Axial slice 780 of 987 of a contrast-enhanced abdominal CT in the arterial phase (slice 1 is the lowest), 120 kVp, kernel I26f; 1.00 mm slice thickness and 0.977 mm pixels.
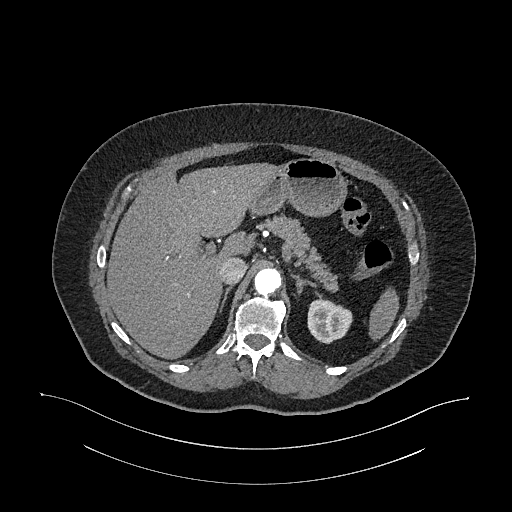
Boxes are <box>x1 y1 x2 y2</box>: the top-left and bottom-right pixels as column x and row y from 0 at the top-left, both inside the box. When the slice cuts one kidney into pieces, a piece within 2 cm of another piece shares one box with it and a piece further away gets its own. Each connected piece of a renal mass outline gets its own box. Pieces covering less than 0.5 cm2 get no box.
At <box>307 298 352 343</box>: left kidney (outlined area 1,564 px, about 14.9 cm2). No renal mass is outlined on this slice.